Abdominal CT with intravenous contrast, axial plane, 120 kVp, kernel B31f. Slice 15/113 from the bottom of the scan; thickness 2.00 mm; pixel size 0.742 mm.
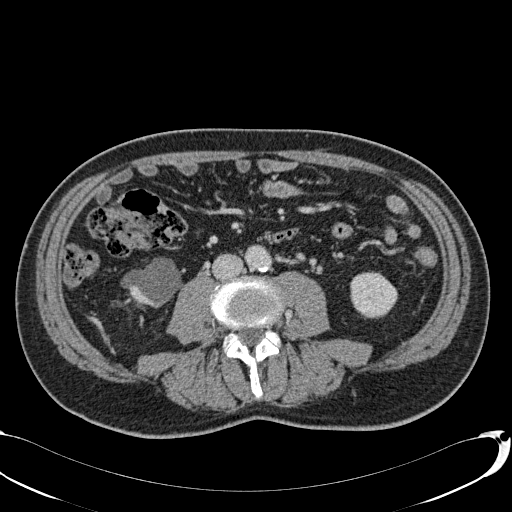
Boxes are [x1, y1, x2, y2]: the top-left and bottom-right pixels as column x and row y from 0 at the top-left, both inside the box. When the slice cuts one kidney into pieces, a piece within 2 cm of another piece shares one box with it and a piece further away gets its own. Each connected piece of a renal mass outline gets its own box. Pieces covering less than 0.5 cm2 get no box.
Two boxes on this slice (two kidney boxes), listed by box centre from the image's left to its right. (1) Right kidney, box [120, 257, 182, 308] (outlined area 2,026 px, about 11.2 cm2). (2) Box [350, 271, 397, 318]: left kidney (outlined area 1,781 px, about 9.8 cm2). No renal mass outline on this slice.